Arterial-phase contrast-enhanced abdominal CT, axial slice 391 of 634 (counted from the lowest slice); tube voltage 120 kVp, convolution kernel B20f; slices 1.00 mm thick, 0.838 mm per pixel.
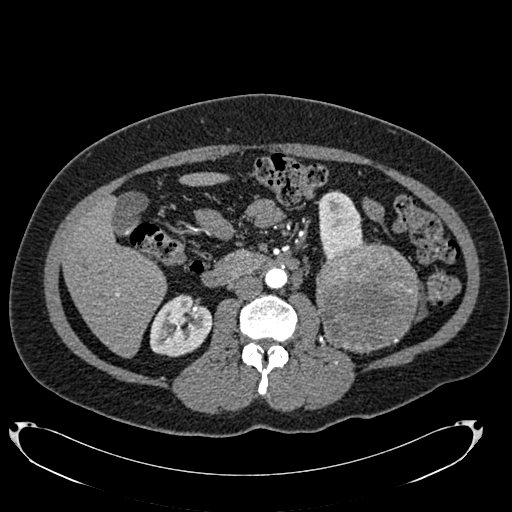
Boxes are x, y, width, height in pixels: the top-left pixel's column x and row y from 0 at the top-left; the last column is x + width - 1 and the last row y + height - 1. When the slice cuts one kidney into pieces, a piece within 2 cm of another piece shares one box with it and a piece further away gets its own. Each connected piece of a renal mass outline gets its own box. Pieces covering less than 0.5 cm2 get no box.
Two kidney boxes and one renal mass box on this slice; by box centre, from the image's left to its right: (1) Right kidney, box x 150, y 294, width 63, height 63 (outlined area 2,926 px, about 20.5 cm2). (2) Left kidney, box x 316, y 190, width 51, height 69 (outlined area 2,259 px, about 15.9 cm2). (3) Left renal mass at x 316, y 242, width 104, height 112 (outlined area 9,188 px, about 64.5 cm2).